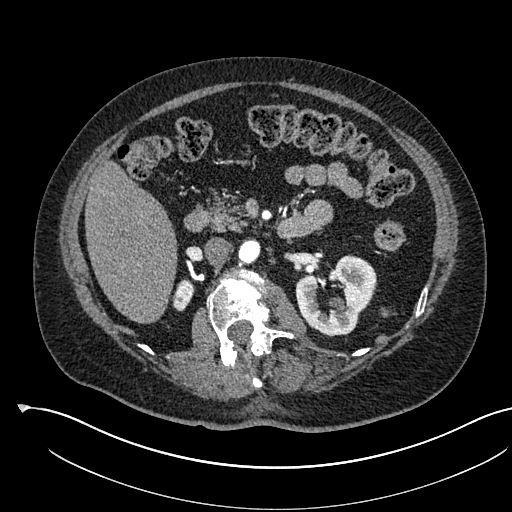
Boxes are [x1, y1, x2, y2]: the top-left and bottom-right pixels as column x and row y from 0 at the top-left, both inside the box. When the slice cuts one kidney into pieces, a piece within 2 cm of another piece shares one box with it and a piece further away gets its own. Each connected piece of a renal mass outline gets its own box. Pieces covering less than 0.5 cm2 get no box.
This is axial slice 339 of 541 (slice 1 is the lowest) of an arterial-phase abdominal CT with contrast; each pixel is 0.834 mm and the slice is 1.00 mm thick. Two kidney boxes on this slice; by box centre, from the image's left to its right: (1) Box [171, 279, 194, 311]: right kidney (outlined area 516 px, about 3.6 cm2). (2) Left kidney at [295, 254, 376, 336] (outlined area 4,240 px, about 29.5 cm2). This slice carries no renal mass outline.
Scan settings: 120 kVp, I30f reconstruction kernel.